One axial slice (577 of 719, counting up from the lowest) of an arterial-phase abdominal CT acquired with 120 kVp, kernel B20f; each pixel is 0.766 mm and the slice is 1.00 mm thick.
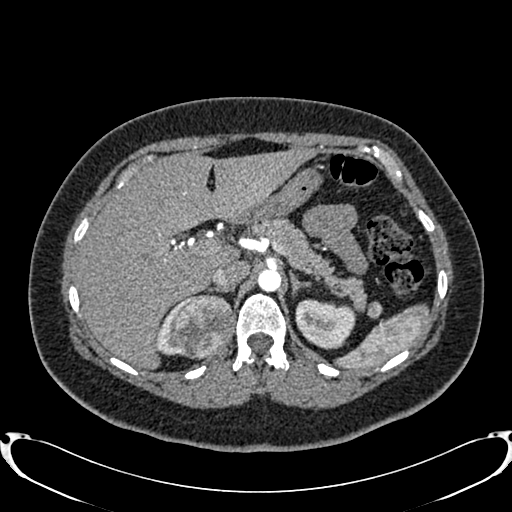
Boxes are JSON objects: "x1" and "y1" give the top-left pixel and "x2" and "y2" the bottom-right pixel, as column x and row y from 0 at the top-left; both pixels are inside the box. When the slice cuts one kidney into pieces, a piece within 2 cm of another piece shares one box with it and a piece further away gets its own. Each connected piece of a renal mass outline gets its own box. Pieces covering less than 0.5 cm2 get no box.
Boxed on this slice (two kidney boxes and one renal mass box), listed by box centre from the image's left to its right: (1) Box {"x1": 155, "y1": 295, "x2": 194, "y2": 355}: right kidney (outlined area 745 px, about 4.4 cm2). (2) Right renal mass, box {"x1": 173, "y1": 294, "x2": 232, "y2": 358} (outlined area 3,005 px, about 17.6 cm2). (3) Left kidney, box {"x1": 295, "y1": 299, "x2": 356, "y2": 348} (outlined area 2,330 px, about 13.7 cm2).